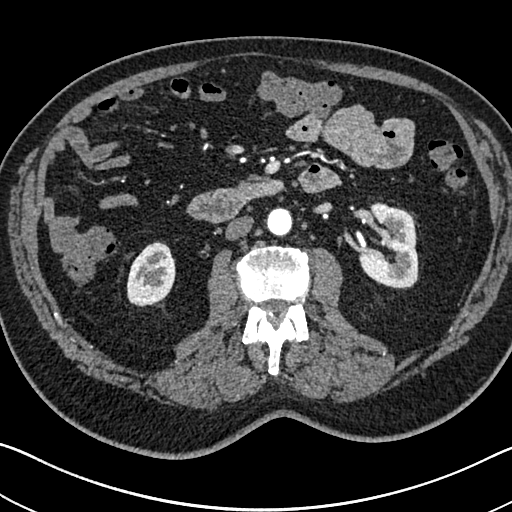
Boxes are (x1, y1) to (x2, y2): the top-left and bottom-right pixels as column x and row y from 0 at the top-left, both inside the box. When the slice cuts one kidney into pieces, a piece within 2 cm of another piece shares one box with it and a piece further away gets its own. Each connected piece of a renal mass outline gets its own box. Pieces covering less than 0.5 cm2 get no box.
Arterial-phase contrast-enhanced abdominal CT, axial slice 385 of 705 (counted from the lowest slice); 1.00 mm thick, 0.703 mm per pixel. Two boxes on this slice (two kidney boxes), listed by box centre from the image's left to its right. (1) Right kidney from (126, 241) to (175, 306) (outlined area 2,445 px, about 12.1 cm2). (2) Left kidney from (358, 202) to (418, 289) (outlined area 3,895 px, about 19.3 cm2). No renal mass is outlined on this slice.
Acquired at 120 kVp and reconstructed with the I30f kernel.